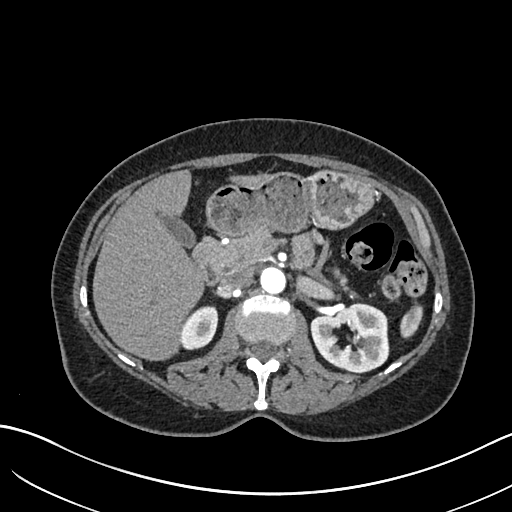
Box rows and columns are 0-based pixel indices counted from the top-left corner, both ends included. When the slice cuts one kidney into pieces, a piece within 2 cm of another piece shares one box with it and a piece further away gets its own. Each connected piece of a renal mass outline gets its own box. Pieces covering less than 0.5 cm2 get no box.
Arterial-phase contrast-enhanced abdominal CT, axial slice 411 of 683 (counted from the lowest slice); 1.00 mm thick, 0.738 mm per pixel. Two kidney boxes on this slice; by box centre, from the image's left to its right: (1) Right kidney, box rows 305–350, columns 179–218 (outlined area 1,332 px, about 7.3 cm2). (2) Box rows 302–373, columns 310–389: left kidney (outlined area 4,181 px, about 22.8 cm2). No renal mass outline on this slice.
Acquired at 120 kVp and reconstructed with the I30f kernel.